Arterial-phase contrast-enhanced abdominal CT, axial slice 73 of 103 (counted from the lowest slice); tube voltage 120 kVp, convolution kernel FC19; slices 5.00 mm thick, 0.873 mm per pixel.
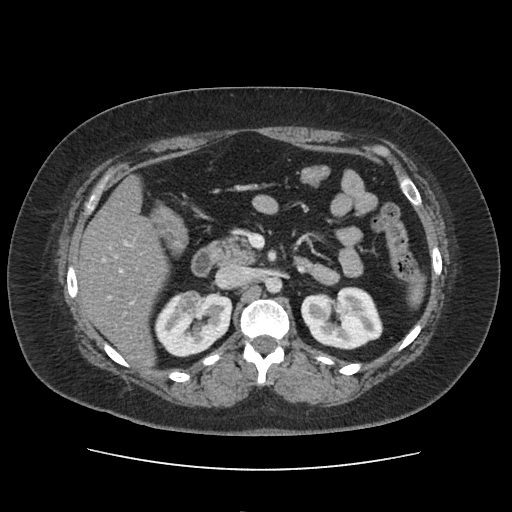
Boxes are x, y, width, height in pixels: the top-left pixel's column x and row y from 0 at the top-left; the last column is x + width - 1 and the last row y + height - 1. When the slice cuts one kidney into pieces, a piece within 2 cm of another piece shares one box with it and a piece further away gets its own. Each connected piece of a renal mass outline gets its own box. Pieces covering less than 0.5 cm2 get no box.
Two kidney boxes and one renal mass box on this slice; by box centre, from the image's left to its right: (1) Box x 177, y 290, width 26, height 27: right renal mass (outlined area 567 px, about 4.3 cm2). (2) Right kidney, box x 154, y 292, width 79, height 66 (outlined area 3,378 px, about 25.7 cm2). (3) Left kidney at x 301, y 286, width 82, height 64 (outlined area 3,934 px, about 30.0 cm2).